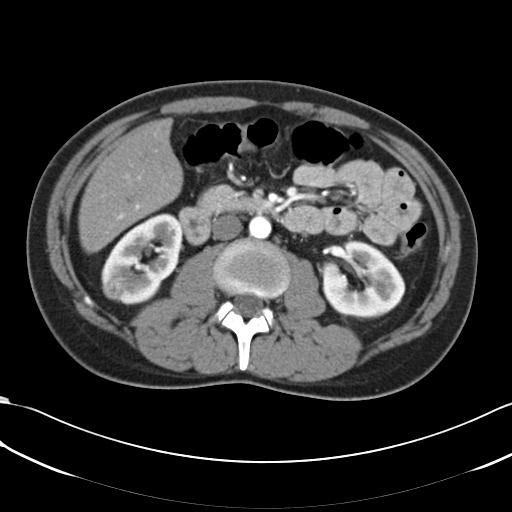
Axial slice 35 of 66 of a contrast-enhanced abdominal CT in the arterial phase (slice 1 is the lowest), 120 kVp, kernel B30f; 5.00 mm slice thickness and 0.678 mm pixels.
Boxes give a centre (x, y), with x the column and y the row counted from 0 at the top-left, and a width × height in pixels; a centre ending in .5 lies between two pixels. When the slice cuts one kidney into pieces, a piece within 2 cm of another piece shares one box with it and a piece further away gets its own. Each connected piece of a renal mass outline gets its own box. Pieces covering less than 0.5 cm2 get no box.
Two kidney boxes and one renal mass box on this slice; by box centre, from the image's left to its right: (1) Box centre (113.5, 288.5), 24 × 24 pixels: right renal mass (outlined area 424 px, about 1.9 cm2). (2) Right kidney, box centre (141.5, 259), 82 × 93 pixels (outlined area 4,596 px, about 21.1 cm2). (3) Left kidney, box centre (364, 280), 83 × 79 pixels (outlined area 4,631 px, about 21.3 cm2).